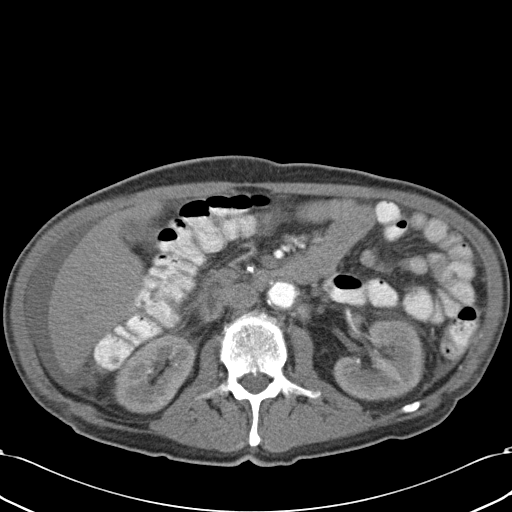
One axial slice (12 of 43, counting up from the lowest) of a contrast-enhanced abdominal CT acquired with 120 kVp, kernel B31f; each pixel is 0.701 mm and the slice is 5.00 mm thick.
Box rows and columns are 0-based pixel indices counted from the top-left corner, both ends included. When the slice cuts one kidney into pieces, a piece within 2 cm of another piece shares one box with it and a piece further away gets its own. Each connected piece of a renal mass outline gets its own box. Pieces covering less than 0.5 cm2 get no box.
Two boxes on this slice (two kidney boxes), listed by box centre from the image's left to its right. (1) Right kidney at rows 332–414, columns 111–196 (outlined area 4,723 px, about 23.2 cm2). (2) Left kidney at rows 315–401, columns 332–425 (outlined area 5,842 px, about 28.7 cm2). No renal mass is outlined on this slice.